Axial slice 440 of 527 of a contrast-enhanced abdominal CT in the arterial phase (slice 1 is the lowest), 120 kVp, kernel I30f; 1.00 mm slice thickness and 0.859 mm pixels.
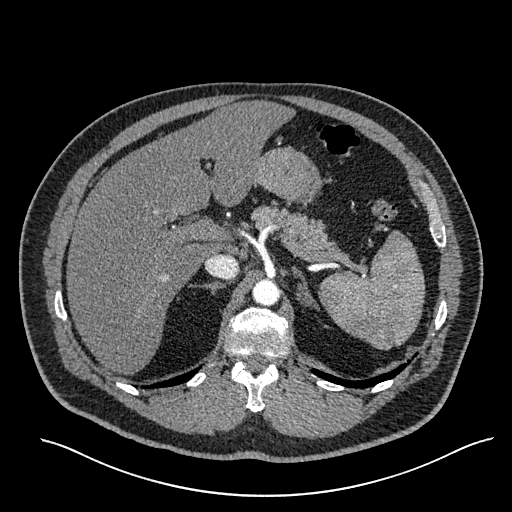
Neither a kidney nor a renal mass is outlined here. Only kidneys and renal masses are outlined anywhere in this scan; other structures are never outlined.